Abdominal CT with intravenous contrast, axial plane, 120 kVp, kernel B31f. Slice 11/51 from the bottom of the scan; thickness 5.00 mm; pixel size 0.865 mm.
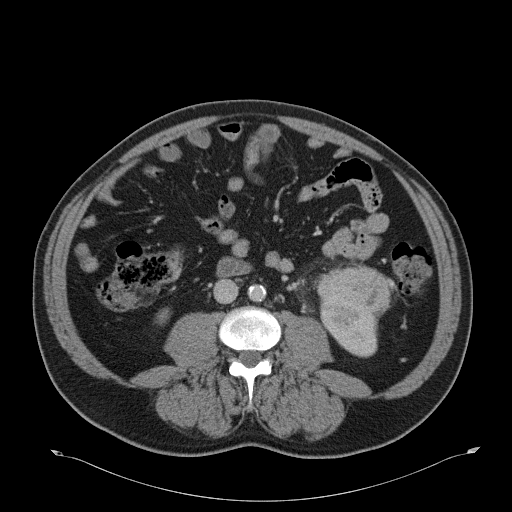
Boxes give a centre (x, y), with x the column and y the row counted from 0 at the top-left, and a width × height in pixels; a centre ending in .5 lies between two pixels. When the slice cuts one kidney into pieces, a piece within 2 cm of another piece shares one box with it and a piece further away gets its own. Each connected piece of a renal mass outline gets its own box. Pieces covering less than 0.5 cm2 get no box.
Boxed on this slice (two kidney boxes and one renal mass box), listed by box centre from the image's left to its right: (1) Right kidney, box centre (162.5, 316), 14 × 17 pixels (outlined area 159 px, about 1.2 cm2). (2) Left kidney in a box with centre (351, 327), 63 × 61 pixels (outlined area 2,478 px, about 18.6 cm2). (3) Left renal mass in a box with centre (353.5, 290), 74 × 47 pixels (outlined area 2,527 px, about 18.9 cm2).